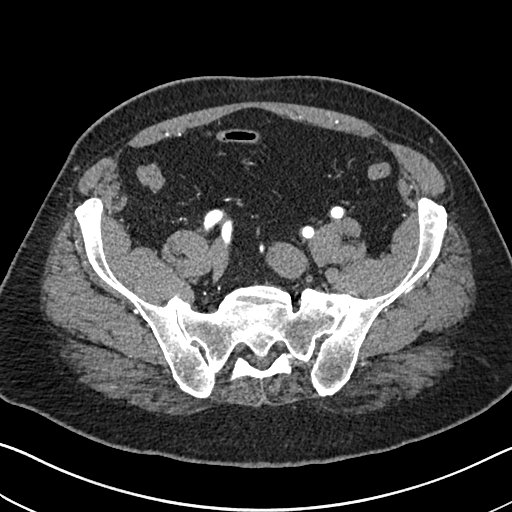
One axial slice (129 of 705, counting up from the lowest) of an arterial-phase abdominal CT acquired with 120 kVp, kernel I30f; each pixel is 0.703 mm and the slice is 1.00 mm thick.
No kidney and no renal mass is outlined on this slice; the outlines in this scan cover only the kidneys and the renal masses, so nothing is said about any other organ.